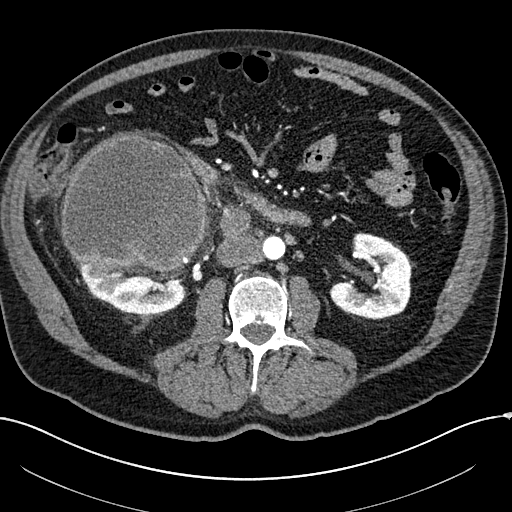
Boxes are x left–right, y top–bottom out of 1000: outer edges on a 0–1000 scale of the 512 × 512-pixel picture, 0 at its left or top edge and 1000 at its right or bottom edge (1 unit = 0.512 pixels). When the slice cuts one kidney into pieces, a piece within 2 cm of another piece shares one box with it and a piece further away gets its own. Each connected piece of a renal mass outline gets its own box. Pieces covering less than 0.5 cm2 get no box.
Slice 96/304 of a contrast-enhanced abdominal CT in the arterial phase, counting up from the lowest; pixel size 0.809 mm, slice thickness 2.00 mm. Two kidney boxes and one renal mass box on this slice; by box centre, from the image's left to its right: (1) Right kidney at x 148–363, y 508–613 out of 1000 (outlined area 3,860 px, about 25.2 cm2). (2) Box x 117–408, y 262–531 out of 1000: right renal mass (outlined area 16,248 px, about 106.2 cm2). (3) Box x 643–813, y 453–625 out of 1000: left kidney (outlined area 4,907 px, about 32.1 cm2).
Scan settings: 100 kVp, I30f reconstruction kernel.